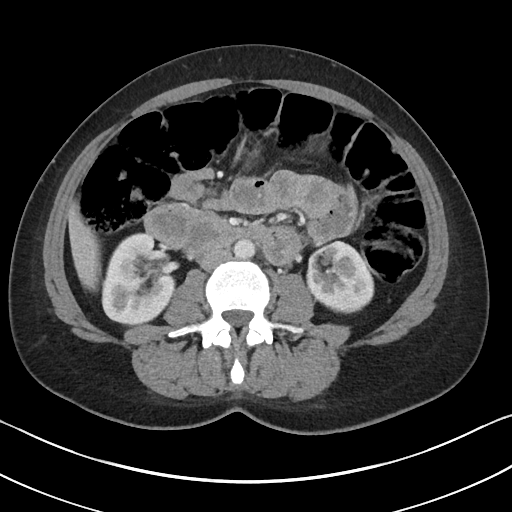
Arterial-phase contrast-enhanced abdominal CT, axial slice 57 of 90 (counted from the lowest slice); tube voltage 100 kVp, convolution kernel I40f; slices 5.00 mm thick, 0.703 mm per pixel.
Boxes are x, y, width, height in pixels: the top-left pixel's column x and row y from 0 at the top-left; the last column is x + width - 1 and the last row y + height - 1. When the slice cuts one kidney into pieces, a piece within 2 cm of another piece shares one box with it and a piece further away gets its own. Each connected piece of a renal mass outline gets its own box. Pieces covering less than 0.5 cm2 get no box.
Two kidney boxes and one renal mass box on this slice; by box centre, from the image's left to its right: (1) Right kidney at x 101, y 232, width 75, height 94 (outlined area 5,161 px, about 25.5 cm2). (2) Left renal mass, box x 310, y 249, width 26, height 26 (outlined area 491 px, about 2.4 cm2). (3) Left kidney at x 304, y 240, width 71, height 74 (outlined area 3,330 px, about 16.5 cm2).